One axial slice (351 of 738, counting up from the lowest) of an arterial-phase abdominal CT acquired with 120 kVp, kernel I30f; each pixel is 0.789 mm and the slice is 1.00 mm thick.
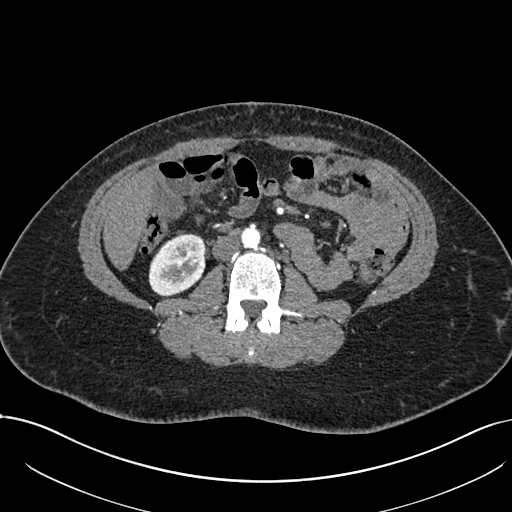
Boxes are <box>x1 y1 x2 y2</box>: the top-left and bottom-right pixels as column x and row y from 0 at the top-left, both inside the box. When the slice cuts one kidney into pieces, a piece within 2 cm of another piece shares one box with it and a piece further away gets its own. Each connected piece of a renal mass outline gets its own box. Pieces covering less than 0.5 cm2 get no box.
At <box>148 234 205 295</box>: right kidney (outlined area 2,769 px, about 17.2 cm2). No renal mass outline on this slice.